One axial slice (231 of 1059, counting up from the lowest) of an arterial-phase abdominal CT acquired with 100 kVp, kernel I30f; each pixel is 0.811 mm and the slice is 1.00 mm thick.
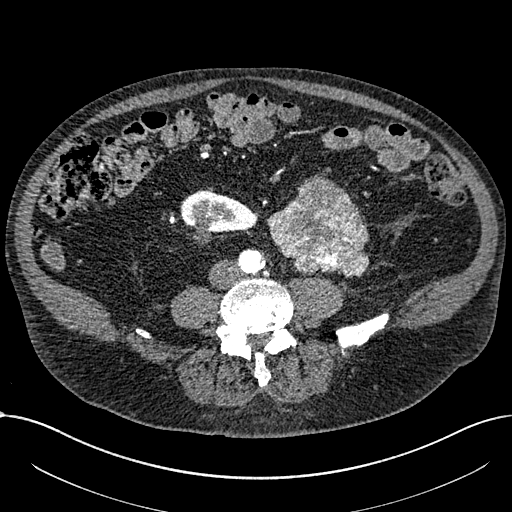
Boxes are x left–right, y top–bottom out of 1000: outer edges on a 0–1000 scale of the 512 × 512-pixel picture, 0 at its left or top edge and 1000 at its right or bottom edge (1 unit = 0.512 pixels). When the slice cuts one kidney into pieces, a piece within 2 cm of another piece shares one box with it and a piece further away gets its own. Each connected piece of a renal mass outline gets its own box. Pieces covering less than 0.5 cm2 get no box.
Boxed on this slice (one kidney box and one renal mass box), listed by box centre from the image's left to its right: (1) Box x 352–504, y 369–480 out of 1000: right part of the midline-crossing kidney (outlined area 2,658 px, about 17.5 cm2). (2) Renal mass at x 520–723, y 340–543 out of 1000 (outlined area 7,213 px, about 47.4 cm2).